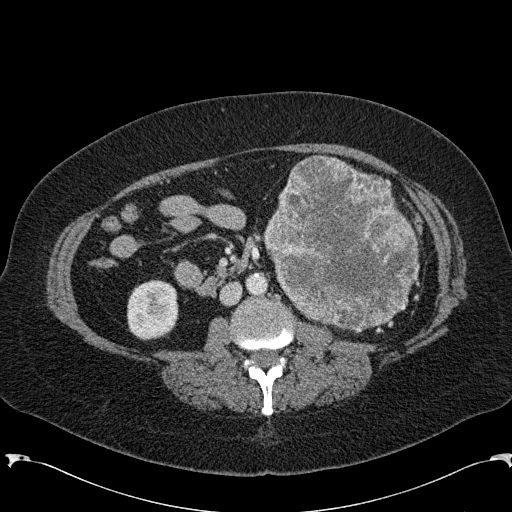
Abdominal CT with intravenous contrast, arterial phase, axial plane, 120 kVp, kernel B31f. Slice 104/285 from the bottom of the scan; thickness 2.00 mm; pixel size 0.762 mm.
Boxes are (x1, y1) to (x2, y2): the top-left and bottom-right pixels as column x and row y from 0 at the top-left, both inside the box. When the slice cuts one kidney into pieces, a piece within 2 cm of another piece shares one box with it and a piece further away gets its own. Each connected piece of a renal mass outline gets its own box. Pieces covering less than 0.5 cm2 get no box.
Boxed on this slice (one kidney box and one renal mass box), listed by box centre from the image's left to its right: (1) Right kidney from (127, 279) to (178, 340) (outlined area 2,589 px, about 15.0 cm2). (2) Left renal mass, box (261, 154) to (419, 331) (outlined area 20,324 px, about 117.9 cm2); here it is more than 1 cm from any kidney outline, though on another slice the same outlined renal mass lies within 1 cm of the kidney.